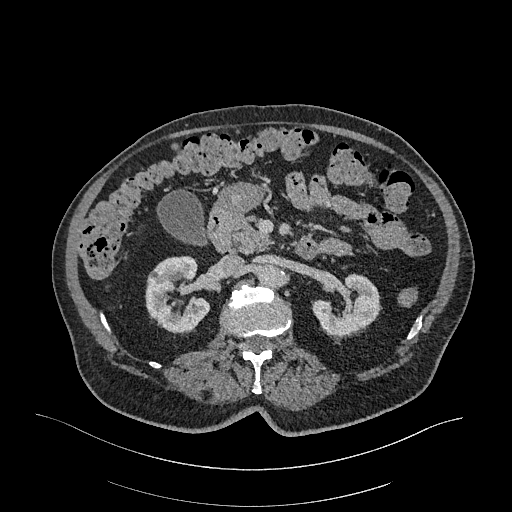
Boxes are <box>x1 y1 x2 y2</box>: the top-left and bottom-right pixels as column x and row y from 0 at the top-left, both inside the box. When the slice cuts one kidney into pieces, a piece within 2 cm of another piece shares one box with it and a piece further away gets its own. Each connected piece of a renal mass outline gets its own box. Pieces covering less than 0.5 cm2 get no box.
This is axial slice 182 of 470 (slice 1 is the lowest) of an arterial-phase abdominal CT with contrast; each pixel is 0.938 mm and the slice is 1.00 mm thick. Two boxes on this slice (two kidney boxes), listed by box centre from the image's left to its right. (1) At <box>145 256 210 333</box>: right kidney (outlined area 3,664 px, about 32.2 cm2). (2) Left kidney at <box>312 273 380 335</box> (outlined area 2,776 px, about 24.4 cm2). No renal mass is outlined on this slice.
Scan settings: 120 kVp, I26f reconstruction kernel.